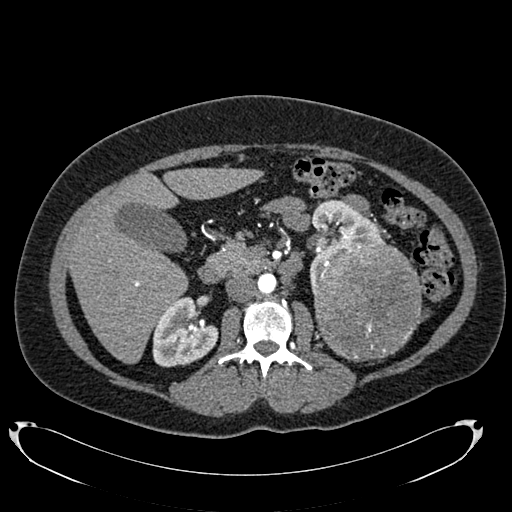
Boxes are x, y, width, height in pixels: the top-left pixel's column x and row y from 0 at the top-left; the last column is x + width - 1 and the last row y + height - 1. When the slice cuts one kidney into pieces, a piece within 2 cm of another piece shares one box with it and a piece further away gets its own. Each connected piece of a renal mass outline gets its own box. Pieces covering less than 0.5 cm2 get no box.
Slice 430/634 of a contrast-enhanced abdominal CT in the arterial phase, counting up from the lowest; pixel size 0.838 mm, slice thickness 1.00 mm. Two kidney boxes and one renal mass box on this slice; by box centre, from the image's left to its right: (1) Right kidney at x 152, y 297, width 67, height 71 (outlined area 3,359 px, about 23.6 cm2). (2) Left kidney, box x 308, y 198, width 78, height 96 (outlined area 2,969 px, about 20.8 cm2). (3) Box x 313, y 240, width 109, height 122: left renal mass (outlined area 10,659 px, about 74.8 cm2).
Acquired at 120 kVp and reconstructed with the B20f kernel.